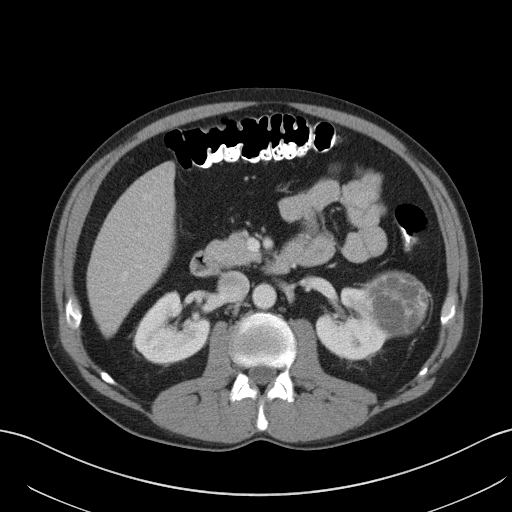
Arterial-phase contrast-enhanced abdominal CT, axial slice 59 of 131 (counted from the lowest slice); tube voltage 120 kVp, convolution kernel B41f; slices 5.00 mm thick, 0.760 mm per pixel.
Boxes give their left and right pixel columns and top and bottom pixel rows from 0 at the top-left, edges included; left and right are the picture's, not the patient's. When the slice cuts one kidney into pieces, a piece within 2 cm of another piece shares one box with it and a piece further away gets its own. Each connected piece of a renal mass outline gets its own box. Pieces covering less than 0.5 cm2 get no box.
Boxed on this slice (two kidney boxes and one renal mass box), listed by box centre from the image's left to its right: (1) Box with left 134, top 292, right 210, bottom 365: right kidney (outlined area 3,729 px, about 21.5 cm2). (2) Box with left 315, top 287, right 388, bottom 360: left kidney (outlined area 3,145 px, about 18.2 cm2). (3) Left renal mass, the box with left 361, top 272, right 428, bottom 337 (outlined area 3,348 px, about 19.3 cm2).